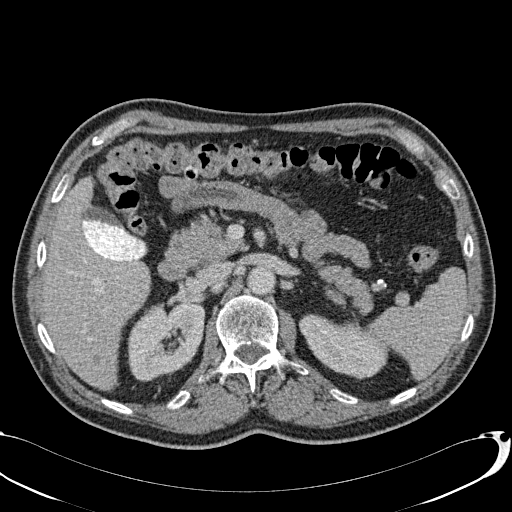
Contrast-enhanced abdominal CT, axial slice 56 of 113 (counted from the lowest slice); tube voltage 120 kVp, convolution kernel B31f; slices 2.00 mm thick, 0.742 mm per pixel.
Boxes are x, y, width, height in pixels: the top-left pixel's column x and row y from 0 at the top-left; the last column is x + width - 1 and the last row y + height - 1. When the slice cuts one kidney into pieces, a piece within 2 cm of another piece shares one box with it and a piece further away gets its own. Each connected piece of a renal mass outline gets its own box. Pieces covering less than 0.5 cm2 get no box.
Boxed on this slice (two kidney boxes), listed by box centre from the image's left to its right: (1) Box x 127, y 302, width 78, height 80: right kidney (outlined area 4,671 px, about 25.7 cm2). (2) Box x 298, y 314, width 90, height 66: left kidney (outlined area 3,715 px, about 20.5 cm2). No renal mass is outlined on this slice.